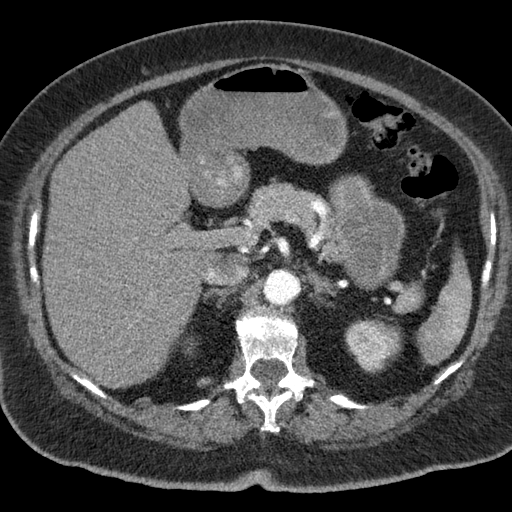
One axial slice (48 of 76, counting up from the lowest) of a contrast-enhanced abdominal CT acquired with 120 kVp, kernel B; each pixel is 0.684 mm and the slice is 3.00 mm thick.
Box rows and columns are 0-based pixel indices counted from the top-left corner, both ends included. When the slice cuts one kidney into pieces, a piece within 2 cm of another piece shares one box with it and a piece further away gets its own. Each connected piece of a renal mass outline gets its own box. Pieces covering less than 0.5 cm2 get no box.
Box rows 319–373, columns 344–402: left kidney (outlined area 2,351 px, about 11.0 cm2). This slice carries no renal mass outline.